One axial slice (60 of 101, counting up from the lowest) of a contrast-enhanced abdominal CT acquired with 100 kVp, kernel I40f; each pixel is 0.684 mm and the slice is 5.00 mm thick.
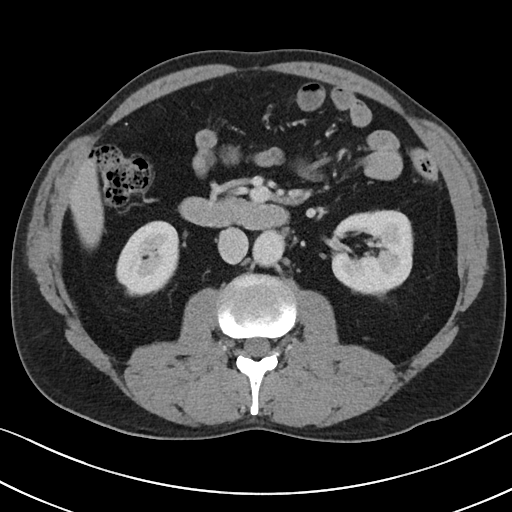
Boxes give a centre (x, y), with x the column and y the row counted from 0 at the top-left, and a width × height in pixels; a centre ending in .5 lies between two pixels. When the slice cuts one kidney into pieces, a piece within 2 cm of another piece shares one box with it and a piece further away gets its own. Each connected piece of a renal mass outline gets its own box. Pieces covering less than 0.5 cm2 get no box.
Two boxes on this slice (two kidney boxes), listed by box centre from the image's left to its right. (1) Box centre (147, 258), 63 × 77 pixels: right kidney (outlined area 3,620 px, about 16.9 cm2). (2) Left kidney, box centre (370.5, 251), 86 × 83 pixels (outlined area 5,498 px, about 25.7 cm2). This slice carries no renal mass outline.